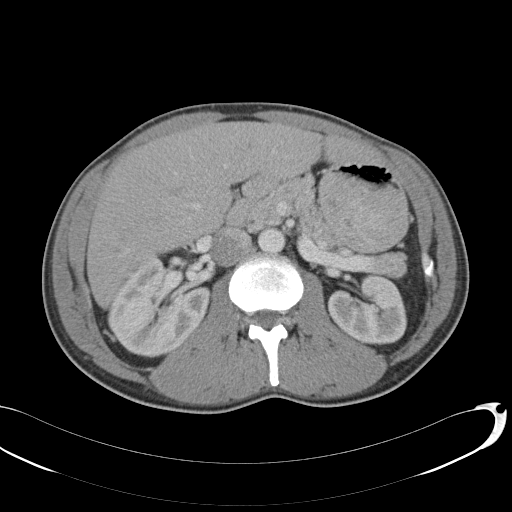
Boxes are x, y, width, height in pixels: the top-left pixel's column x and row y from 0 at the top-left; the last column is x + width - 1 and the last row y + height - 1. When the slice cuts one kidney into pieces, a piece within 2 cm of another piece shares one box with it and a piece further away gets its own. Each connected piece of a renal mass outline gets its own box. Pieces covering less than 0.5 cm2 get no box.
Slice 66/146 of a contrast-enhanced abdominal CT, counting up from the lowest; pixel size 0.742 mm, slice thickness 5.00 mm. Boxed on this slice (two kidney boxes), listed by box centre from the image's left to its right: (1) Right kidney at x 107, y 256, width 105, height 102 (outlined area 7,287 px, about 40.1 cm2). (2) Left kidney, box x 328, y 273, width 79, height 73 (outlined area 4,279 px, about 23.6 cm2). No renal mass outline on this slice.
Acquired at 120 kVp and reconstructed with the B31f kernel.